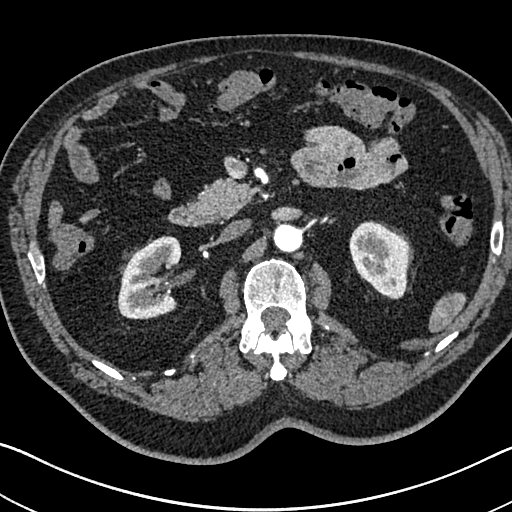
Axial slice 441 of 705 of a contrast-enhanced abdominal CT in the arterial phase (slice 1 is the lowest), 120 kVp, kernel I30f; 1.00 mm slice thickness and 0.703 mm pixels.
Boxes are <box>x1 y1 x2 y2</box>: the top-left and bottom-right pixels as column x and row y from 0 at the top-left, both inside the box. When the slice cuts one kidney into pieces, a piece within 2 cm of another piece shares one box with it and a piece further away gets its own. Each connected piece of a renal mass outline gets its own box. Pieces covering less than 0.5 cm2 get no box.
Two boxes on this slice (two kidney boxes), listed by box centre from the image's left to its right. (1) Right kidney at <box>117 236 181 319</box> (outlined area 4,034 px, about 19.9 cm2). (2) Left kidney at <box>349 220 409 298</box> (outlined area 3,581 px, about 17.7 cm2). This slice carries no renal mass outline.